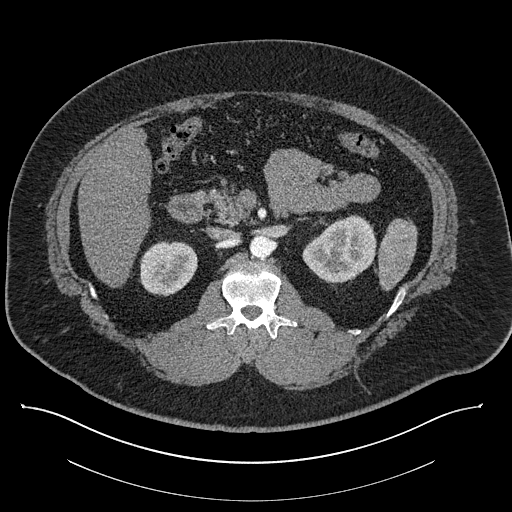
Contrast-enhanced abdominal CT, axial slice 522 of 787 (counted from the lowest slice); tube voltage 140 kVp, convolution kernel I30f; slices 1.00 mm thick, 0.910 mm per pixel.
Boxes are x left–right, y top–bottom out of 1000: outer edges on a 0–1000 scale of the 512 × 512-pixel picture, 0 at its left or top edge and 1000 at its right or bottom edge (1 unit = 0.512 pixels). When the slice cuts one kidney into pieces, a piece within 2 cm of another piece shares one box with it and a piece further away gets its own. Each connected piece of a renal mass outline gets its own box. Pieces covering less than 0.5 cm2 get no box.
Two kidney boxes on this slice; by box centre, from the image's left to its right: (1) Right kidney at x 271–387, y 471–580 out of 1000 (outlined area 2,562 px, about 21.2 cm2). (2) Box x 590–736, y 418–559 out of 1000: left kidney (outlined area 3,662 px, about 30.3 cm2). This slice carries no renal mass outline.